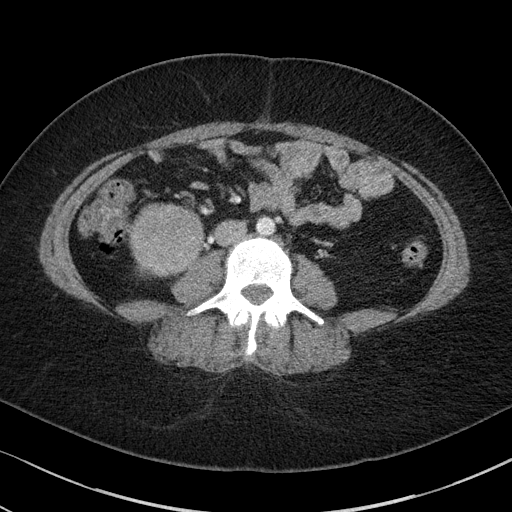
Arterial-phase contrast-enhanced abdominal CT, axial slice 43 of 85 (counted from the lowest slice); tube voltage 100 kVp, convolution kernel I41f; slices 5.00 mm thick, 0.664 mm per pixel.
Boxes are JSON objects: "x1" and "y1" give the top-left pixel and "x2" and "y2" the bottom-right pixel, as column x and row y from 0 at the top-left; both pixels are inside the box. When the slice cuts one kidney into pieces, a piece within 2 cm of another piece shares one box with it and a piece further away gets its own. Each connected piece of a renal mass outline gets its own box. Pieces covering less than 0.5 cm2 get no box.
One kidney box and one renal mass box on this slice; by box centre, from the image's left to its right: (1) Box {"x1": 136, "y1": 263, "x2": 156, "y2": 277}: right kidney (outlined area 139 px, about 0.6 cm2). (2) Right renal mass, box {"x1": 129, "y1": 203, "x2": 203, "y2": 276} (outlined area 4,331 px, about 19.1 cm2).